Abdominal CT with intravenous contrast, arterial phase, axial plane, 100 kVp, kernel I30f. Slice 375/1059 from the bottom of the scan; thickness 1.00 mm; pixel size 0.811 mm.
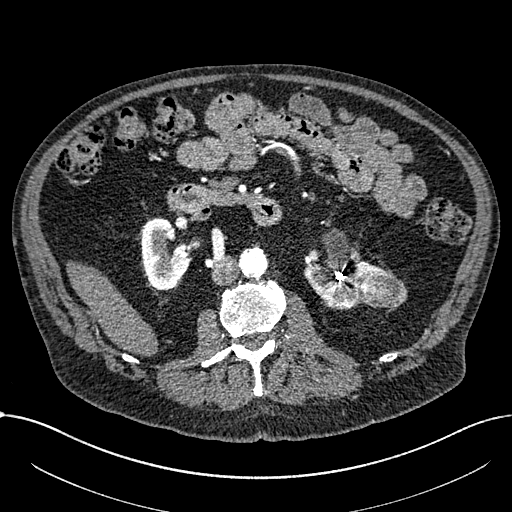
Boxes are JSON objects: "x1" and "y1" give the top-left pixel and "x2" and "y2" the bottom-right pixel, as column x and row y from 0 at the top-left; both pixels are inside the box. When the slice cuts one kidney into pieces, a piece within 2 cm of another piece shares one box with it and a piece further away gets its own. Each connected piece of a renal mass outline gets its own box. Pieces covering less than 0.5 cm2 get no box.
Boxed on this slice (two kidney boxes and one renal mass box), listed by box centre from the image's left to its right: (1) Right part of the midline-crossing kidney, box {"x1": 141, "y1": 218, "x2": 201, "y2": 290} (outlined area 2,845 px, about 18.7 cm2). (2) Box {"x1": 304, "y1": 259, "x2": 395, "y2": 310}: left part of the midline-crossing kidney (outlined area 2,539 px, about 16.7 cm2). (3) Renal mass at {"x1": 365, "y1": 275, "x2": 407, "y2": 308} (outlined area 1,214 px, about 8.0 cm2).